Axial slice 354 of 581 of a contrast-enhanced abdominal CT in the arterial phase (slice 1 is the lowest), 120 kVp, kernel B30f; 1.00 mm slice thickness and 0.713 mm pixels.
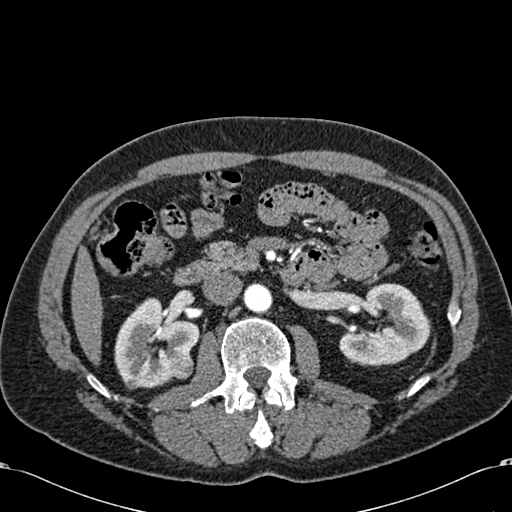
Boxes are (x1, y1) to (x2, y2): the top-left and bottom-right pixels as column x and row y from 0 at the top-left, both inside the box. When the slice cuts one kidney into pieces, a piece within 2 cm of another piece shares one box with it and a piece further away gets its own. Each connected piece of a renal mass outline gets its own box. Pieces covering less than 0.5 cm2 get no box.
Two kidney boxes and one renal mass box on this slice; by box centre, from the image's left to its right: (1) Box (114, 297) to (199, 388): right kidney (outlined area 5,099 px, about 25.9 cm2). (2) Box (169, 351) to (193, 379): right renal mass (outlined area 580 px, about 2.9 cm2). (3) Left kidney, box (339, 283) to (430, 366) (outlined area 5,098 px, about 25.9 cm2).